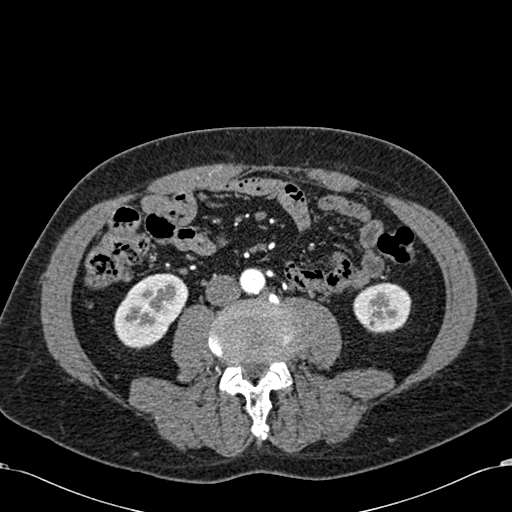
Abdominal CT with intravenous contrast, arterial phase, axial plane, 120 kVp, kernel B30f. Slice 237/581 from the bottom of the scan; thickness 1.00 mm; pixel size 0.713 mm.
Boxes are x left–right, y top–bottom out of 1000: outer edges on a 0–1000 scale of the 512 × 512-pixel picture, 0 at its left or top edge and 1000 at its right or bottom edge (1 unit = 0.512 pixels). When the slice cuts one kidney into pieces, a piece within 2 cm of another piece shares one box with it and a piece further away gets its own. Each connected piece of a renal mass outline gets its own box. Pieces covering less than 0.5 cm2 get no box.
Two boxes on this slice (two kidney boxes), listed by box centre from the image's left to its right. (1) Right kidney at x 221–369, y 533–684 out of 1000 (outlined area 3,945 px, about 20.0 cm2). (2) Box x 689–805, y 551–652 out of 1000: left kidney (outlined area 2,356 px, about 12.0 cm2). No renal mass outline on this slice.